Axial slice 516 of 673 of a contrast-enhanced abdominal CT in the arterial phase (slice 1 is the lowest), 140 kVp, kernel I30f; 1.00 mm slice thickness and 0.957 mm pixels.
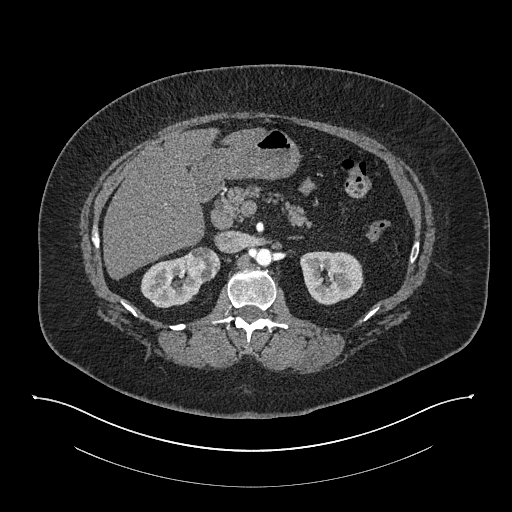
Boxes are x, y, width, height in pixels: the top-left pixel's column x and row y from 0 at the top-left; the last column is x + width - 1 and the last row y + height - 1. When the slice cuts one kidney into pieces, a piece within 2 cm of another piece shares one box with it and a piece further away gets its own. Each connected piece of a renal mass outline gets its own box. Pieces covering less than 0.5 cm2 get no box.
Three boxes on this slice (two kidney boxes and one renal mass box), listed by box centre from the image's left to its right. (1) Right kidney, box x 140, y 254, width 64, height 55 (outlined area 2,212 px, about 20.3 cm2). (2) Right renal mass, box x 187, y 246, width 34, height 37 (outlined area 954 px, about 8.7 cm2). (3) Left kidney, box x 300, y 251, width 64, height 55 (outlined area 2,710 px, about 24.8 cm2).